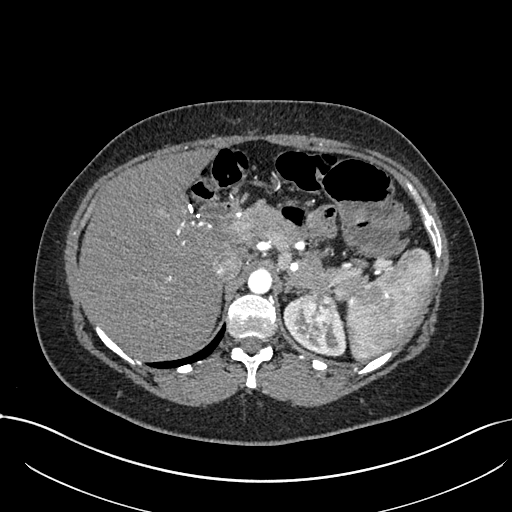
Arterial-phase contrast-enhanced abdominal CT, axial slice 541 of 738 (counted from the lowest slice); tube voltage 120 kVp, convolution kernel I30f; slices 1.00 mm thick, 0.789 mm per pixel.
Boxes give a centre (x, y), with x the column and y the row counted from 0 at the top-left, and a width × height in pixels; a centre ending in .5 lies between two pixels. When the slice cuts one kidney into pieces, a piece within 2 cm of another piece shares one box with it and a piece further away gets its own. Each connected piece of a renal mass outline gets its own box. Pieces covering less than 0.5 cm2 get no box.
Boxed on this slice (one kidney box and one renal mass box), listed by box centre from the image's left to its right: (1) Left kidney, box centre (314.5, 324.5), 64 × 62 pixels (outlined area 1,801 px, about 11.2 cm2). (2) Left renal mass in a box with centre (316.5, 315), 34 × 49 pixels (outlined area 1,265 px, about 7.9 cm2).